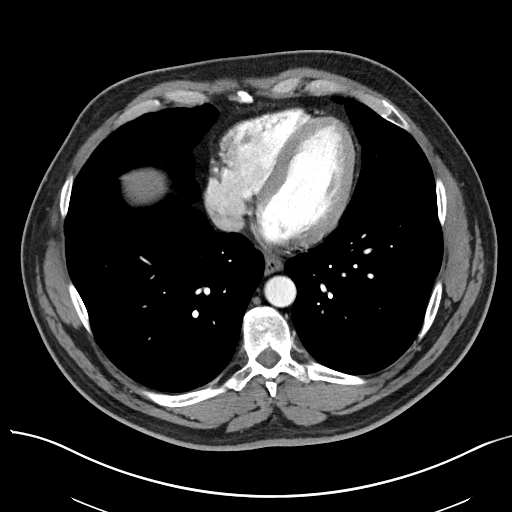
Abdominal CT with intravenous contrast, arterial phase, axial plane, 100 kVp, kernel I40f. Slice 84/97 from the bottom of the scan; thickness 3.00 mm; pixel size 0.797 mm.
This slice carries no outline: it lies beyond the outlined kidneys and beyond every outlined renal mass. Other organs are not outlined in this scan.